Abdominal CT with intravenous contrast, arterial phase, axial plane, 120 kVp, kernel I30f. Slice 324/705 from the bottom of the scan; thickness 1.00 mm; pixel size 0.703 mm.
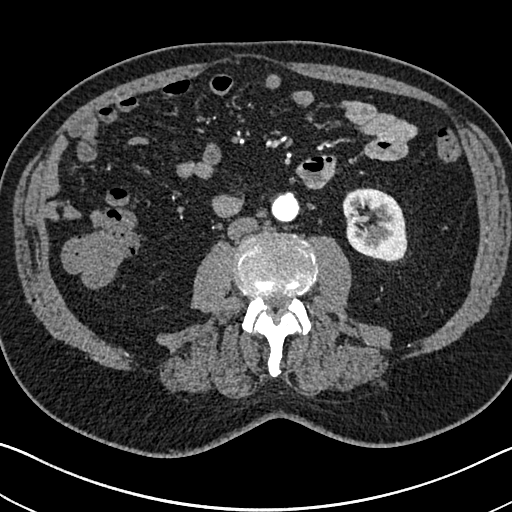
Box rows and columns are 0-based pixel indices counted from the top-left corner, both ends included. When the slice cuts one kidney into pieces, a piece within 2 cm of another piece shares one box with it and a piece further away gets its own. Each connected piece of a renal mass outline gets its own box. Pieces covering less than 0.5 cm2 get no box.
Left kidney at rows 188–263, columns 341–407 (outlined area 3,779 px, about 18.7 cm2). This slice carries no renal mass outline.